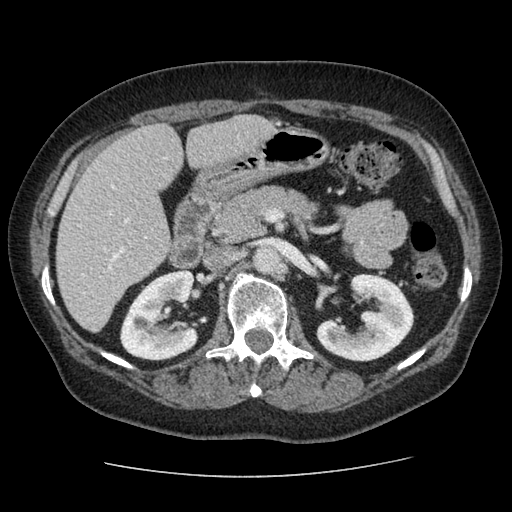
Abdominal CT with intravenous contrast, arterial phase, axial plane, 120 kVp, kernel STANDARD. Slice 54/96 from the bottom of the scan; thickness 2.50 mm; pixel size 0.689 mm.
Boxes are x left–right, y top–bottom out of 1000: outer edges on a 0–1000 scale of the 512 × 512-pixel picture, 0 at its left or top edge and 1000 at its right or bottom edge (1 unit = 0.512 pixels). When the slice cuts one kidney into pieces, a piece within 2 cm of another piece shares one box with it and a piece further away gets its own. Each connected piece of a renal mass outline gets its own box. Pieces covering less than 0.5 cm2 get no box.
Two boxes on this slice (two kidney boxes), listed by box centre from the image's left to its right. (1) Right kidney, box x 234–387, y 527–705 out of 1000 (outlined area 5,107 px, about 24.3 cm2). (2) Box x 617–809, y 533–707 out of 1000: left kidney (outlined area 5,289 px, about 25.1 cm2). No renal mass is outlined on this slice.